Arterial-phase contrast-enhanced abdominal CT, axial slice 52 of 53 (counted from the lowest slice); tube voltage 120 kVp, convolution kernel B30f; slices 3.00 mm thick, 0.547 mm per pixel.
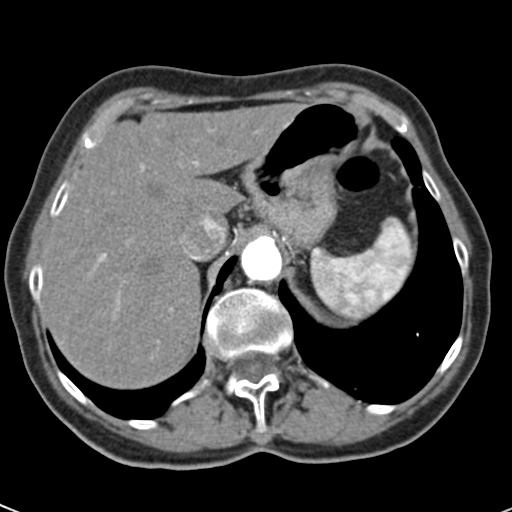
This slice carries no outline: it lies beyond the outlined kidneys and beyond every outlined renal mass. Other organs are not outlined in this scan.